Abdominal CT with intravenous contrast, arterial phase, axial plane, 100 kVp, kernel I40f. Slice 57/88 from the bottom of the scan; thickness 5.00 mm; pixel size 0.705 mm.
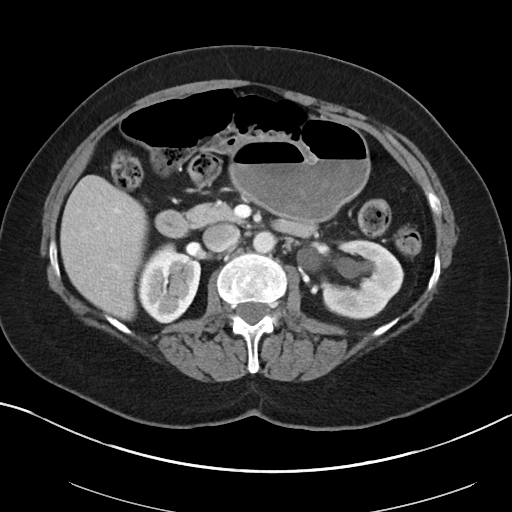
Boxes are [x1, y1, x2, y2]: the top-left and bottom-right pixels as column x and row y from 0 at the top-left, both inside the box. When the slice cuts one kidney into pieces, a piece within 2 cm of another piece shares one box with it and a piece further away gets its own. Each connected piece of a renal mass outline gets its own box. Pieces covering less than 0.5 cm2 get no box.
Two boxes on this slice (two kidney boxes), listed by box centre from the image's left to its right. (1) Right kidney at [137, 242, 201, 323] (outlined area 3,733 px, about 18.6 cm2). (2) Left kidney, box [322, 239, 404, 319] (outlined area 4,540 px, about 22.6 cm2). No renal mass is outlined on this slice.